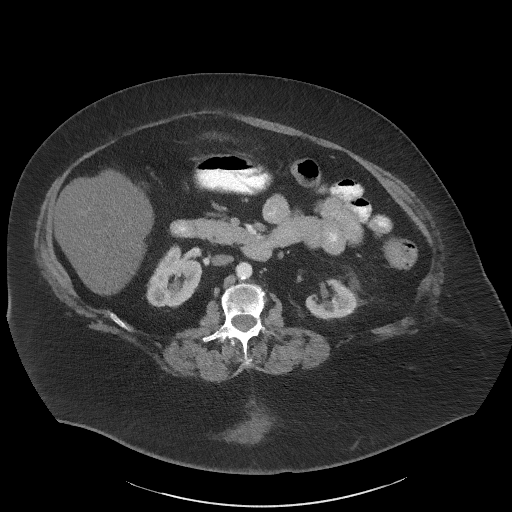
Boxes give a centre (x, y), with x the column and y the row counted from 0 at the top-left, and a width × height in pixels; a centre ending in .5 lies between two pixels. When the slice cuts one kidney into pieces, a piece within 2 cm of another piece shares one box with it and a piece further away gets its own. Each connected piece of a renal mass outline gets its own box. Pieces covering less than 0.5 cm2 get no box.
This is axial slice 31 of 61 (slice 1 is the lowest) of an arterial-phase abdominal CT with contrast; each pixel is 0.947 mm and the slice is 3.00 mm thick. Two kidney boxes on this slice; by box centre, from the image's left to its right: (1) Right kidney, box centre (174, 275.5), 57 × 64 pixels (outlined area 2,497 px, about 22.4 cm2). (2) Left kidney, box centre (330.5, 297.5), 52 × 42 pixels (outlined area 1,522 px, about 13.7 cm2). No renal mass is outlined on this slice.
Acquired at 140 kVp and reconstructed with the I41f kernel.